Arterial-phase contrast-enhanced abdominal CT, axial slice 315 of 591 (counted from the lowest slice); tube voltage 140 kVp, convolution kernel I30f; slices 1.00 mm thick, 0.703 mm per pixel.
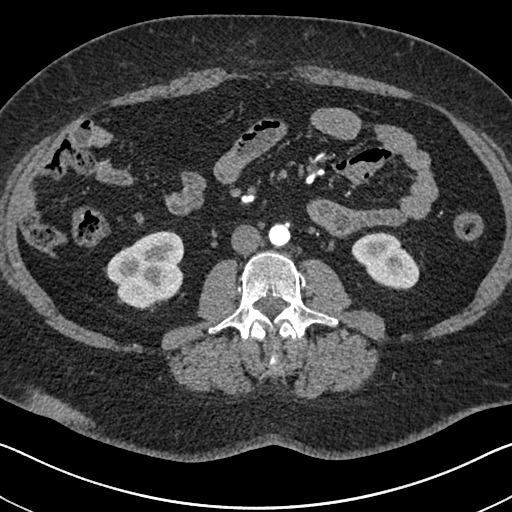
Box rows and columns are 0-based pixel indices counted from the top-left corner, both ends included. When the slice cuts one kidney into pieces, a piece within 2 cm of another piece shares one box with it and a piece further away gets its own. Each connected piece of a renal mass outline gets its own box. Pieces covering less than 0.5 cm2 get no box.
Boxed on this slice (two kidney boxes), listed by box centre from the image's left to its right: (1) Right kidney at rows 231–309, columns 106–184 (outlined area 4,466 px, about 22.1 cm2). (2) Left kidney at rows 232–290, columns 351–419 (outlined area 2,686 px, about 13.3 cm2). No renal mass is outlined on this slice.